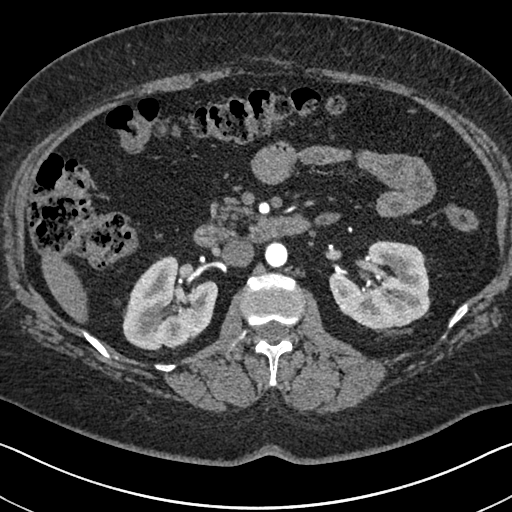
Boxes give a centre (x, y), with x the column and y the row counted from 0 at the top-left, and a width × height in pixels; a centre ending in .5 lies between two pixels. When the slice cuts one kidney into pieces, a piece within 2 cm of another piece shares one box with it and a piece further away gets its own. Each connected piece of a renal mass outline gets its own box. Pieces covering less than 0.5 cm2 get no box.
Slice 407/591 of a contrast-enhanced abdominal CT in the arterial phase, counting up from the lowest; pixel size 0.703 mm, slice thickness 1.00 mm. Boxed on this slice (two kidney boxes), listed by box centre from the image's left to its right: (1) Box centre (169.5, 302.5), 96 × 96 pixels: right kidney (outlined area 6,426 px, about 31.8 cm2). (2) Left kidney, box centre (379.5, 285), 102 × 91 pixels (outlined area 6,565 px, about 32.5 cm2). No renal mass outline on this slice.
Acquired at 140 kVp and reconstructed with the I30f kernel.